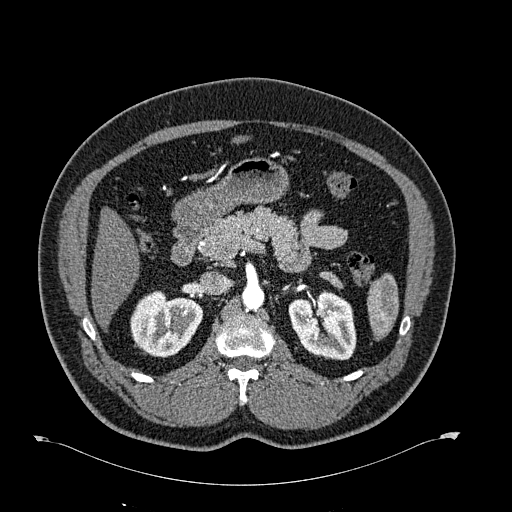
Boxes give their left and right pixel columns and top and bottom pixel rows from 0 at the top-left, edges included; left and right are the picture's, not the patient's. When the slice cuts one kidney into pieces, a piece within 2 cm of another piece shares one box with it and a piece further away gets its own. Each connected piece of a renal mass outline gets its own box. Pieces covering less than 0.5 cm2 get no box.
Arterial-phase contrast-enhanced abdominal CT, axial slice 413 of 723 (counted from the lowest slice); 1.00 mm thick, 0.895 mm per pixel. Two kidney boxes on this slice; by box centre, from the image's left to its right: (1) Box with left 130, top 291, right 203, bottom 357: right kidney (outlined area 3,607 px, about 28.9 cm2). (2) Left kidney, the box with left 288, top 290, right 356, bottom 360 (outlined area 3,628 px, about 29.0 cm2). No renal mass is outlined on this slice.
Acquired at 120 kVp and reconstructed with the B30f kernel.